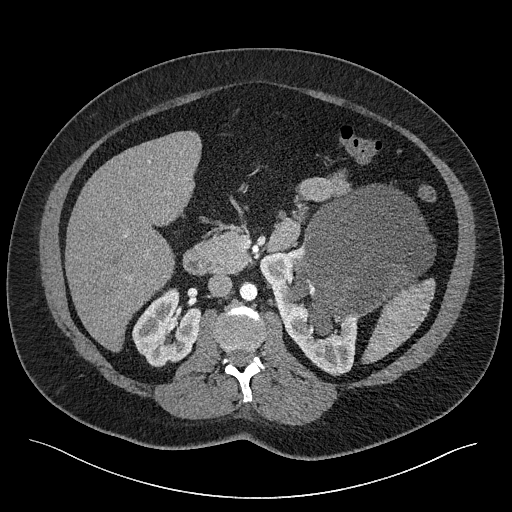
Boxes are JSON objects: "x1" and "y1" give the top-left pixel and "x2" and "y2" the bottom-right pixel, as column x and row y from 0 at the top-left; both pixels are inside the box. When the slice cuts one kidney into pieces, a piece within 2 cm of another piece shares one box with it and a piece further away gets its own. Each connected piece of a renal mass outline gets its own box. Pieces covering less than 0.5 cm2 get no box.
Slice 138/301 of a contrast-enhanced abdominal CT, counting up from the lowest; pixel size 0.859 mm, slice thickness 2.00 mm. Boxed on this slice (two kidney boxes and one renal mass box), listed by box centre from the image's left to its right: (1) Box {"x1": 132, "y1": 287, "x2": 201, "y2": 367}: right kidney (outlined area 3,715 px, about 27.4 cm2). (2) Left kidney at {"x1": 259, "y1": 245, "x2": 360, "y2": 376} (outlined area 4,524 px, about 33.4 cm2). (3) Left renal mass, box {"x1": 289, "y1": 184, "x2": 435, "y2": 336} (outlined area 14,455 px, about 106.8 cm2).
Scan settings: 120 kVp, I40f reconstruction kernel.